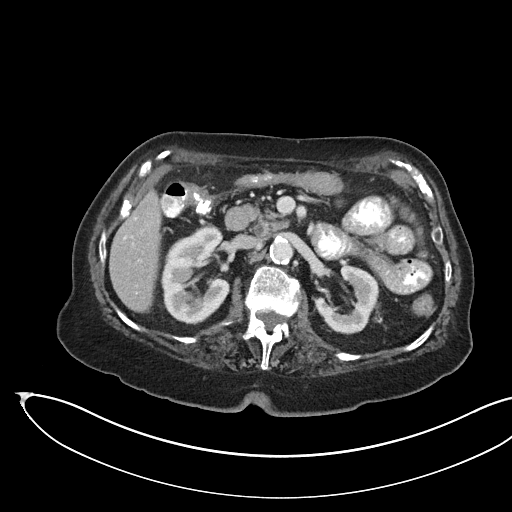
One axial slice (102 of 145, counting up from the lowest) of an arterial-phase abdominal CT acquired with 100 kVp, kernel I40f; each pixel is 0.834 mm and the slice is 3.00 mm thick.
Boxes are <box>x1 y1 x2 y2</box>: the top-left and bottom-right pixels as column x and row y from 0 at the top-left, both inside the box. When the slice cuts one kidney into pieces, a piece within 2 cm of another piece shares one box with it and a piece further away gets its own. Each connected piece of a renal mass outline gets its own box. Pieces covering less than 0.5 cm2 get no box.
Two boxes on this slice (two kidney boxes), listed by box centre from the image's left to its right. (1) Kidney at <box>161 226 230 323</box> (outlined area 4,853 px, about 33.8 cm2). (2) At <box>315 266 382 334</box>: kidney (outlined area 2,827 px, about 19.7 cm2). No renal mass is outlined on this slice.